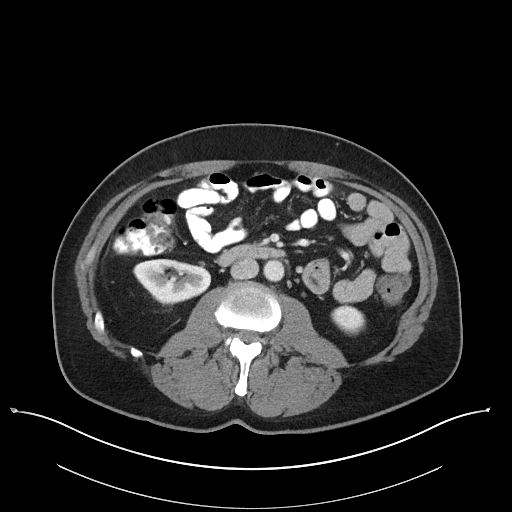
Contrast-enhanced abdominal CT, axial slice 61 of 101 (counted from the lowest slice); tube voltage 100 kVp, convolution kernel I40f; slices 5.00 mm thick, 0.879 mm per pixel.
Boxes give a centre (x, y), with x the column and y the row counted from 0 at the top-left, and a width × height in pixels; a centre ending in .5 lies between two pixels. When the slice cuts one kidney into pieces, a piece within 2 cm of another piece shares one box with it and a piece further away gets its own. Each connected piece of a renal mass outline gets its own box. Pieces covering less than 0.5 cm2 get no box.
Two kidney boxes on this slice; by box centre, from the image's left to its right: (1) Right kidney in a box with centre (172, 282), 79 × 47 pixels (outlined area 2,631 px, about 20.3 cm2). (2) Box centre (347.5, 320.5), 36 × 30 pixels: left kidney (outlined area 783 px, about 6.0 cm2). This slice carries no renal mass outline.